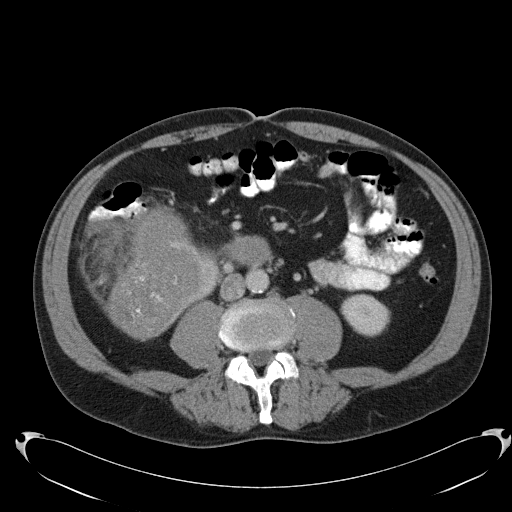
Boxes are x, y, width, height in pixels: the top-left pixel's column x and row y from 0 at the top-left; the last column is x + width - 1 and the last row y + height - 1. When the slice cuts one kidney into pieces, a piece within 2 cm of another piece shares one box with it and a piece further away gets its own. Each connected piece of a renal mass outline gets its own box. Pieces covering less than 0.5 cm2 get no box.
This is axial slice 53 of 103 (slice 1 is the lowest) of an abdominal CT with contrast; each pixel is 0.801 mm and the slice is 5.00 mm thick. Boxed on this slice (two kidney boxes and one renal mass box), listed by box centre from the image's left to its right: (1) Right renal mass, box x 107, y 204, width 95, height 138 (outlined area 8,527 px, about 54.7 cm2). (2) Box x 188, y 246, width 34, height 63: right kidney (outlined area 882 px, about 5.7 cm2). (3) Box x 340, y 293, width 51, height 44: left kidney (outlined area 1,598 px, about 10.2 cm2).
Tube voltage 120 kVp; convolution kernel B31f.